Axial slice 48 of 96 of a contrast-enhanced abdominal CT in the arterial phase (slice 1 is the lowest), 130 kVp, kernel B30s; 3.00 mm slice thickness and 0.781 mm pixels.
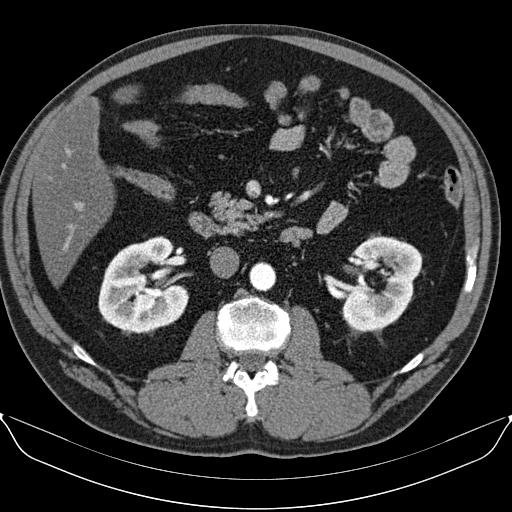
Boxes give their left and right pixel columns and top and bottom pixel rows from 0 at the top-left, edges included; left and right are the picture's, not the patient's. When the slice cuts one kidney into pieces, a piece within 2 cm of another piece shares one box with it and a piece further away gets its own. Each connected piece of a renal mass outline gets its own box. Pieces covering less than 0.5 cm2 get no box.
Two boxes on this slice (two kidney boxes), listed by box centre from the image's left to its right. (1) Box with left 98, top 236, right 188, bottom 335: right kidney (outlined area 6,492 px, about 39.6 cm2). (2) Left kidney in the box with left 341, top 236, right 422, bottom 331 (outlined area 5,352 px, about 32.7 cm2). No renal mass is outlined on this slice.